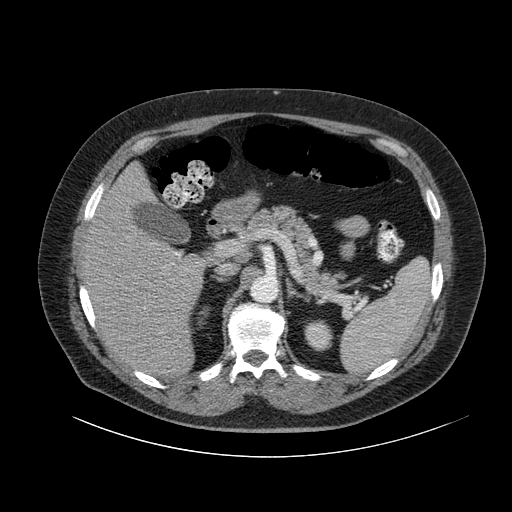
Contrast-enhanced abdominal CT, axial slice 68 of 105 (counted from the lowest slice); tube voltage 120 kVp, convolution kernel B; slices 3.00 mm thick, 0.977 mm per pixel.
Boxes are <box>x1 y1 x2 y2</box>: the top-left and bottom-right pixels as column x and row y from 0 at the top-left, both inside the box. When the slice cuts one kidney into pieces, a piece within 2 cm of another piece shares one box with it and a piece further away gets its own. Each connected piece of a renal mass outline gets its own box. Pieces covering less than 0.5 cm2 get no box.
Two kidney boxes on this slice; by box centre, from the image's left to its right: (1) At <box>198 307 209 327</box>: right kidney (outlined area 120 px, about 1.1 cm2). (2) Left kidney at <box>304 319 333 351</box> (outlined area 716 px, about 6.8 cm2). No renal mass outline on this slice.